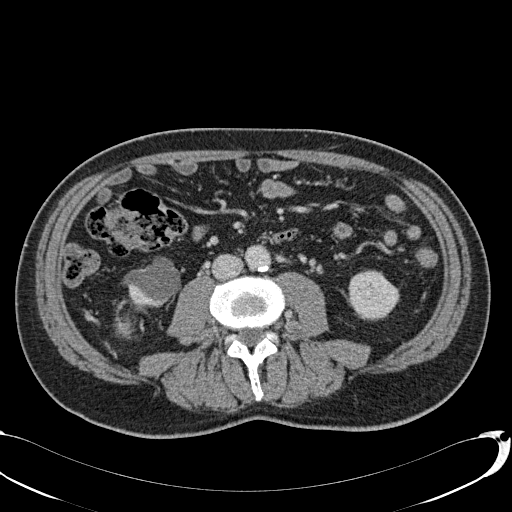
One axial slice (16 of 113, counting up from the lowest) of a contrast-enhanced abdominal CT acquired with 120 kVp, kernel B31f; each pixel is 0.742 mm and the slice is 2.00 mm thick.
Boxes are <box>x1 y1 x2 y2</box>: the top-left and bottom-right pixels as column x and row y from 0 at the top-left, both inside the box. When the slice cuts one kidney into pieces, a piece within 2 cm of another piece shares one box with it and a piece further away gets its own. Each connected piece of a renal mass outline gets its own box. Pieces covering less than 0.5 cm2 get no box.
Boxed on this slice (two kidney boxes), listed by box centre from the image's left to its right: (1) Right kidney: <box>120 256 180 313</box> (outlined area 2,188 px, about 12.1 cm2). (2) At <box>347 269 399 320</box>: left kidney (outlined area 2,043 px, about 11.3 cm2).